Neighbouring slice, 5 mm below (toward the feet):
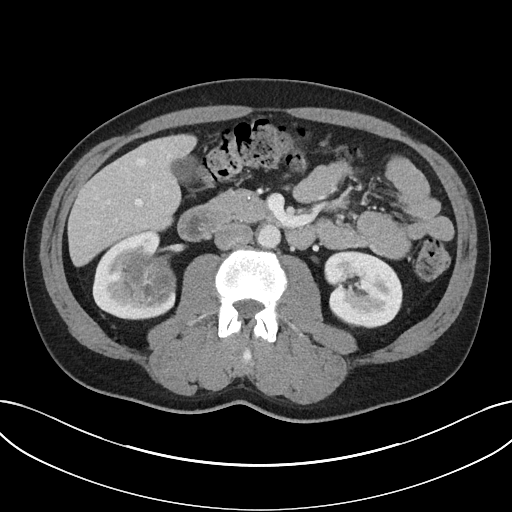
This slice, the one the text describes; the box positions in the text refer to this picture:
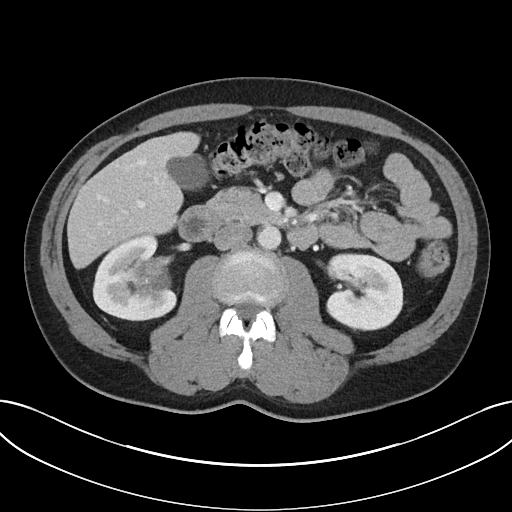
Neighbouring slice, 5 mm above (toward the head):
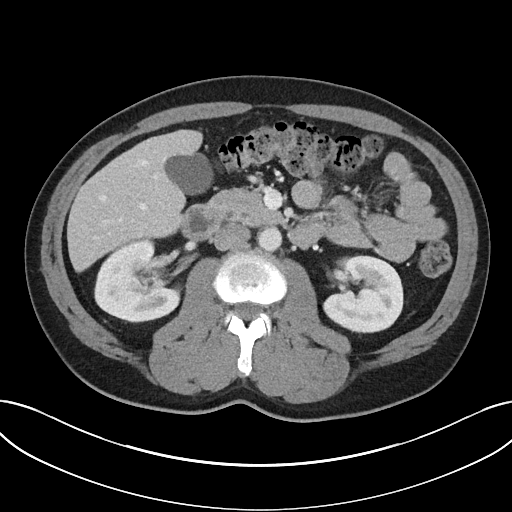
Axial slice 14 of 32 of a contrast-enhanced abdominal CT in the arterial phase (slice 1 is the lowest), 100 kVp, kernel I40f; 5.00 mm slice thickness and 0.779 mm pixels.
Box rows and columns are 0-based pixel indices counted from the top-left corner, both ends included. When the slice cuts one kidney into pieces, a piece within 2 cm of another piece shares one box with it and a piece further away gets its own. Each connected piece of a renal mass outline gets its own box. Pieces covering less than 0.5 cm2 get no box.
Two kidney boxes and one renal mass box on this slice; by box centre, from the image's left to its right: (1) Box rows 233–321, columns 92–176: right kidney (outlined area 4,528 px, about 27.5 cm2). (2) Right renal mass, box rows 258–294, columns 135–171 (outlined area 1,043 px, about 6.3 cm2). (3) Left kidney, box rows 253–331, columns 326–403 (outlined area 4,992 px, about 30.3 cm2). This slice lies near the end of the right renal mass toward the head; the slices 5 mm below and 5 mm above it are shown too, and the boxes mark positions on this slice only.